Abdominal CT with intravenous contrast, arterial phase, axial plane, 120 kVp, kernel B30f. Slice 441/538 from the bottom of the scan; thickness 1.00 mm; pixel size 0.811 mm.
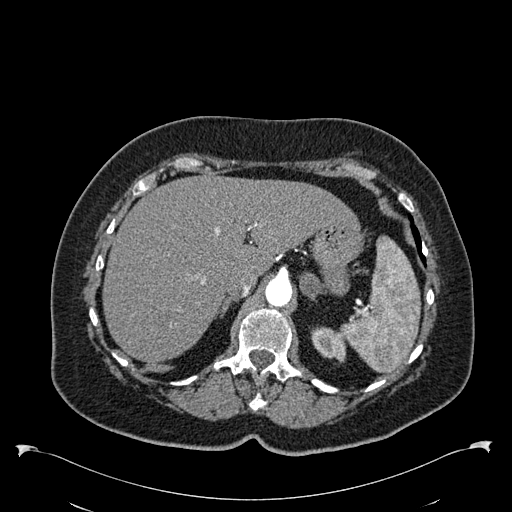
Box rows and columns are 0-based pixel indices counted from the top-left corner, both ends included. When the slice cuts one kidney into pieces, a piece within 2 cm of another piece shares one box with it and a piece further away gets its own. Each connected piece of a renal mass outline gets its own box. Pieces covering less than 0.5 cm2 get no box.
Left kidney, box rows 326–362, columns 311–346 (outlined area 926 px, about 6.1 cm2). No renal mass outline on this slice.